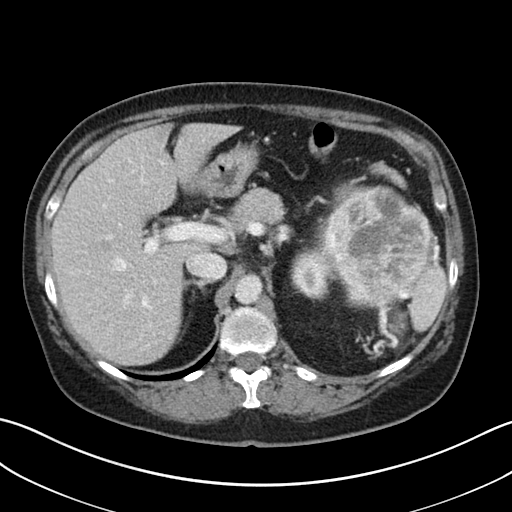
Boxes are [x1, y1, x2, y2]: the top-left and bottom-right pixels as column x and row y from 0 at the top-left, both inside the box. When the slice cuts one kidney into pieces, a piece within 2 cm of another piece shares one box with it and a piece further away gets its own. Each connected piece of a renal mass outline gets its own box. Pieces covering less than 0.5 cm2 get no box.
Contrast-enhanced abdominal CT, axial slice 29 of 38 (counted from the lowest slice); 5.00 mm thick, 0.730 mm per pixel. Two boxes on this slice (one kidney box and one renal mass box), listed by box centre from the image's left to its right. (1) Box [291, 248, 334, 299]: left kidney (outlined area 1,572 px, about 8.4 cm2). (2) Left renal mass, box [321, 185, 430, 307] (outlined area 10,128 px, about 54.0 cm2).
Acquired at 100 kVp and reconstructed with the I30f kernel.